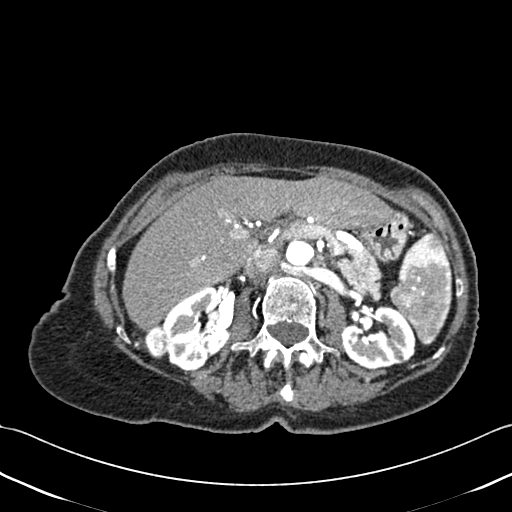
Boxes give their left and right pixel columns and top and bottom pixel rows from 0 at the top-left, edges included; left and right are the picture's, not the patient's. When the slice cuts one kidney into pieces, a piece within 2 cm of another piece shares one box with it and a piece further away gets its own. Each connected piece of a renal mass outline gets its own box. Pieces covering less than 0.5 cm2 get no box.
Slice 261/433 of a contrast-enhanced abdominal CT, counting up from the lowest; pixel size 0.672 mm, slice thickness 1.00 mm. Two kidney boxes and one renal mass box on this slice; by box centre, from the image's left to its right: (1) Right renal mass in the box with left 144, top 325, right 166, bottom 358 (outlined area 600 px, about 2.7 cm2). (2) Box with left 159, top 287, right 230, bottom 371: right kidney (outlined area 4,002 px, about 18.1 cm2). (3) Box with left 341, top 305, right 415, bottom 370: left kidney (outlined area 3,581 px, about 16.2 cm2).
Scan settings: 120 kVp, B30f reconstruction kernel.